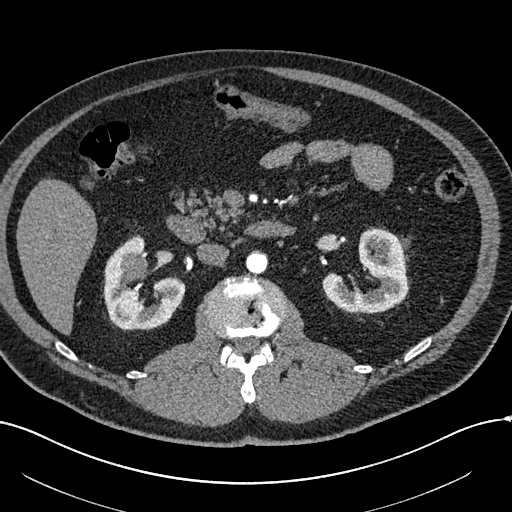
Abdominal CT with intravenous contrast, arterial phase, axial plane, 120 kVp, kernel I30f. Slice 339/602 from the bottom of the scan; thickness 1.00 mm; pixel size 0.799 mm.
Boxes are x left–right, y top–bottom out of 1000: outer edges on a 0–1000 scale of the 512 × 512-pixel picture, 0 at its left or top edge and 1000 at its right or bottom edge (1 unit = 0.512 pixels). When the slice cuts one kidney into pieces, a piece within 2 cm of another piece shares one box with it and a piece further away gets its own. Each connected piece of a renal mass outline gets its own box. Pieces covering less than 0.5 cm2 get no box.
Boxed on this slice (two kidney boxes and one renal mass box), listed by box centre from the image's left to its right: (1) Right renal mass, box x 234–289, y 494–553 out of 1000 (outlined area 647 px, about 4.1 cm2). (2) Box x 201–363, y 463–646 out of 1000: right kidney (outlined area 4,312 px, about 27.5 cm2). (3) Left kidney, box x 629–799, y 445–615 out of 1000 (outlined area 4,518 px, about 28.8 cm2).